Axial slice 8 of 53 of a contrast-enhanced abdominal CT in the arterial phase (slice 1 is the lowest), 120 kVp, kernel B30f; 3.00 mm slice thickness and 0.547 mm pixels.
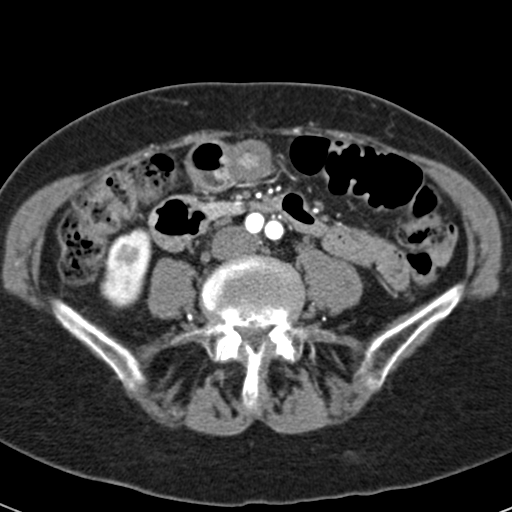
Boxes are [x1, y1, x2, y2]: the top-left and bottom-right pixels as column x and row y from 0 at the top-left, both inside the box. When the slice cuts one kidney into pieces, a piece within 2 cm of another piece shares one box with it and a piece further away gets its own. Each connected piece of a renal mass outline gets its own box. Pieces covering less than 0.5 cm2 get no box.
Right kidney at [100, 227, 152, 308] (outlined area 3,075 px, about 9.2 cm2). No renal mass outline on this slice.